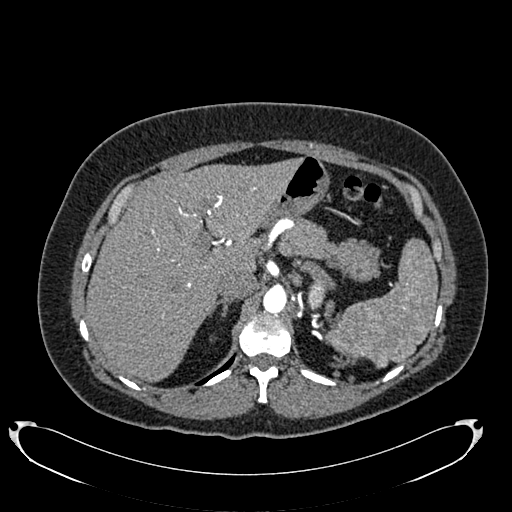
Arterial-phase contrast-enhanced abdominal CT, axial slice 543 of 634 (counted from the lowest slice); tube voltage 120 kVp, convolution kernel B20f; slices 1.00 mm thick, 0.838 mm per pixel.
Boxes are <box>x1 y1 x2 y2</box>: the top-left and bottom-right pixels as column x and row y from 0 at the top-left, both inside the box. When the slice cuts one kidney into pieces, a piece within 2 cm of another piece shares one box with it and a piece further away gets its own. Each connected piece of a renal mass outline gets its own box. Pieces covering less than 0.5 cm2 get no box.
At <box>307 280 327 310</box>: left kidney (outlined area 455 px, about 3.2 cm2). No renal mass outline on this slice.